One axial slice (140 of 233, counting up from the lowest) of an arterial-phase abdominal CT acquired with 120 kVp, kernel STANDARD; each pixel is 0.703 mm and the slice is 1.25 mm thick.
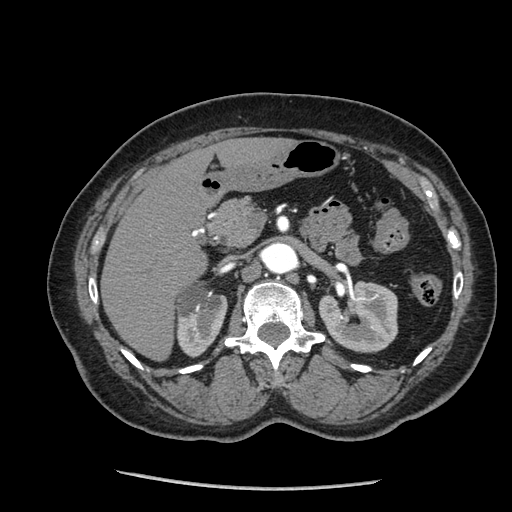
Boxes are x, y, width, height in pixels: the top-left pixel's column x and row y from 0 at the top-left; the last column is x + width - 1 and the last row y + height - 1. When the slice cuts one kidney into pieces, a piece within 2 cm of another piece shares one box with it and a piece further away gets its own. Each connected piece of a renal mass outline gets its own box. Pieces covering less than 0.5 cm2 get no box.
Two boxes on this slice (two kidney boxes), listed by box centre from the image's left to its right. (1) Right kidney at x 176, y 282, width 52, height 76 (outlined area 2,930 px, about 14.5 cm2). (2) Box x 318, y 280, width 81, height 73: left kidney (outlined area 4,418 px, about 21.8 cm2). This slice carries no renal mass outline.